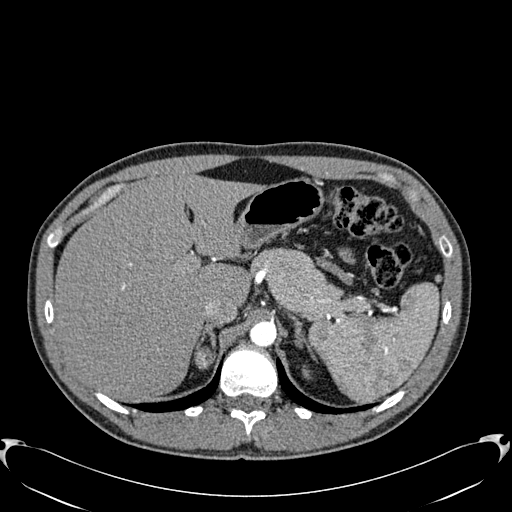
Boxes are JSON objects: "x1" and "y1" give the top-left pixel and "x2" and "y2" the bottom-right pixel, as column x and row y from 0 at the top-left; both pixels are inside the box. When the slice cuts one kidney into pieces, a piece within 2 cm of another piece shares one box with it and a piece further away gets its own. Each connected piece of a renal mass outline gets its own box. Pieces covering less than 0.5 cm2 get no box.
Slice 462/512 of a contrast-enhanced abdominal CT in the arterial phase, counting up from the lowest; pixel size 0.771 mm, slice thickness 1.00 mm. One kidney box and one renal mass box on this slice; by box centre, from the image's left to its right: (1) Box {"x1": 194, "y1": 346, "x2": 215, "y2": 369}: right renal mass (outlined area 384 px, about 2.3 cm2); on this slice it lies more than 1 cm from any kidney outline, but the same outlined renal mass comes within 1 cm of the kidney on another slice. (2) Box {"x1": 302, "y1": 365, "x2": 311, "y2": 379}: left kidney (outlined area 90 px, about 0.5 cm2).
Scan settings: 120 kVp, B30f reconstruction kernel.